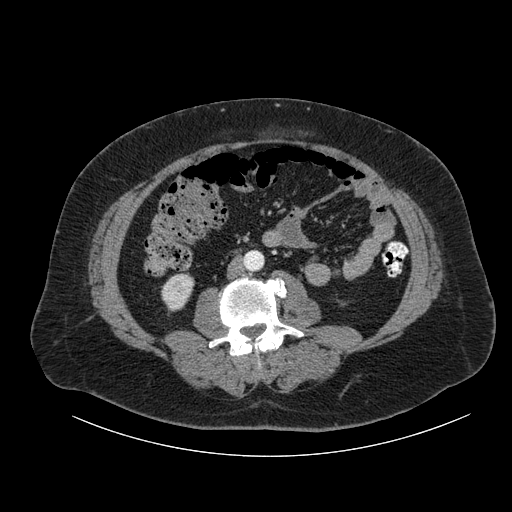
Contrast-enhanced abdominal CT, axial slice 28 of 105 (counted from the lowest slice); tube voltage 120 kVp, convolution kernel B; slices 3.00 mm thick, 0.977 mm per pixel.
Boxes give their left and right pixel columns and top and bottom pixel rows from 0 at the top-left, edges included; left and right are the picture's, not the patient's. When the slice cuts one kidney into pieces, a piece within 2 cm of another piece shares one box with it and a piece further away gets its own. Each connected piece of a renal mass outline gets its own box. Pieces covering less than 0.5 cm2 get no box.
Right kidney in the box with left 161, top 273, right 194, bottom 311 (outlined area 976 px, about 9.3 cm2). This slice carries no renal mass outline.